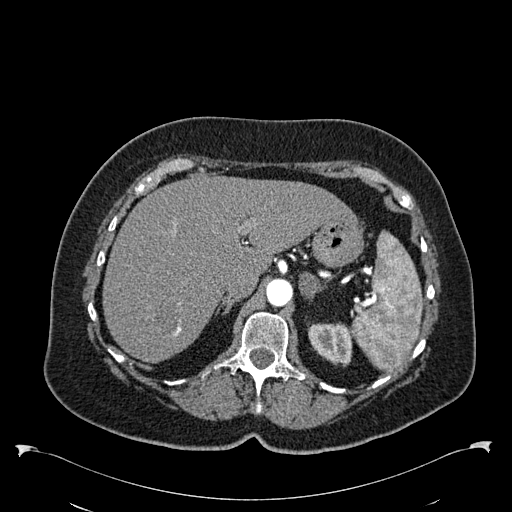
Axial slice 430 of 538 of a contrast-enhanced abdominal CT in the arterial phase (slice 1 is the lowest), 120 kVp, kernel B30f; 1.00 mm slice thickness and 0.811 mm pixels.
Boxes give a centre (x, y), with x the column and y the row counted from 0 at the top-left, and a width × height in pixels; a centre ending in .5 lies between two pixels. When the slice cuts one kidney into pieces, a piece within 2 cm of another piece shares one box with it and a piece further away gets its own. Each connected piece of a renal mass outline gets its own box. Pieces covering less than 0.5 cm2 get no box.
Box centre (330, 344), 45 × 45 pixels: left kidney (outlined area 1,513 px, about 9.9 cm2). This slice carries no renal mass outline.